Arterial-phase contrast-enhanced abdominal CT, axial slice 192 of 538 (counted from the lowest slice); tube voltage 120 kVp, convolution kernel B30f; slices 1.00 mm thick, 0.811 mm per pixel.
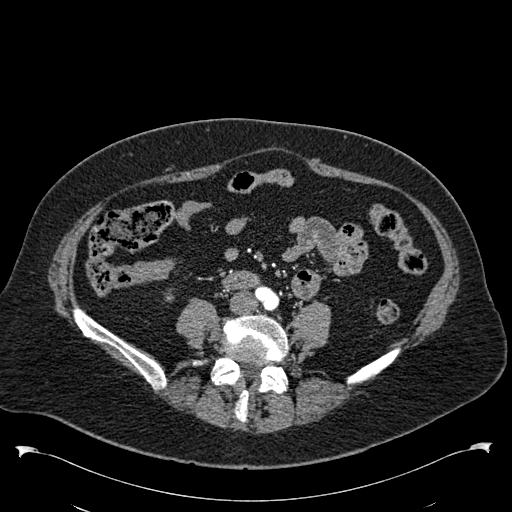
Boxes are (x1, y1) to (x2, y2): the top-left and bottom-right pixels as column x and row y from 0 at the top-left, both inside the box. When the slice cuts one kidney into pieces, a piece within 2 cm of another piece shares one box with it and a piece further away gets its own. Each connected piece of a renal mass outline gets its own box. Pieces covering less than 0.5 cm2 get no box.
Box (165, 289) to (173, 301): right kidney (outlined area 77 px, about 0.5 cm2). This slice carries no renal mass outline.